Axial slice 370 of 723 of a contrast-enhanced abdominal CT in the arterial phase (slice 1 is the lowest), 120 kVp, kernel B30f; 1.00 mm slice thickness and 0.895 mm pixels.
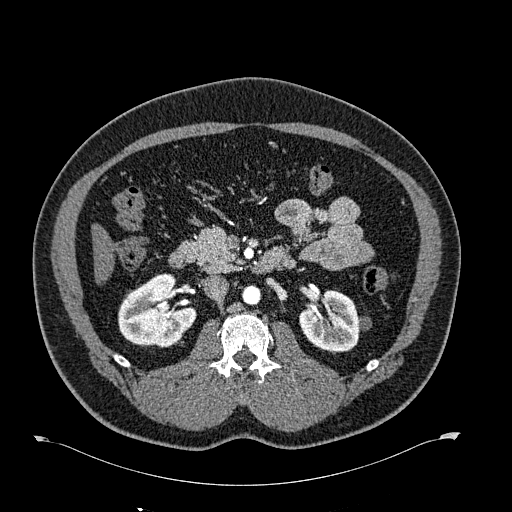
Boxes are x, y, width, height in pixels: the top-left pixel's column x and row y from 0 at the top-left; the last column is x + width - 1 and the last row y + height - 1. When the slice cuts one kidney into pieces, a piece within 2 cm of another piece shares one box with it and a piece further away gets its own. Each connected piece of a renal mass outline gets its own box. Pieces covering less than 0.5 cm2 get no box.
Two boxes on this slice (two kidney boxes), listed by box centre from the image's left to its right. (1) Right kidney at x 118, y 273, width 79, height 75 (outlined area 4,172 px, about 33.4 cm2). (2) Left kidney at x 299, y 289, width 73, height 63 (outlined area 2,997 px, about 24.0 cm2).